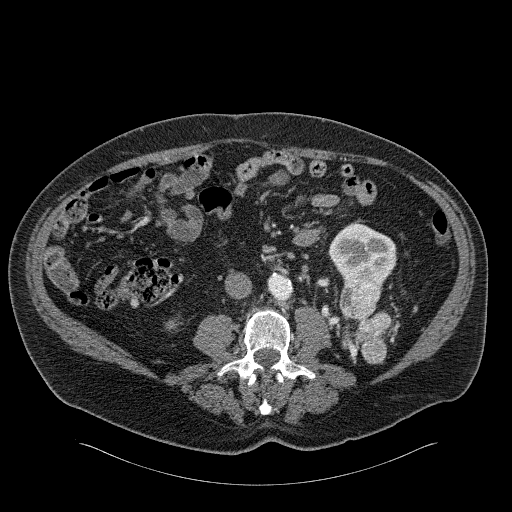
Arterial-phase contrast-enhanced abdominal CT, axial slice 76 of 326 (counted from the lowest slice); tube voltage 120 kVp, convolution kernel B31f; slices 2.00 mm thick, 0.963 mm per pixel.
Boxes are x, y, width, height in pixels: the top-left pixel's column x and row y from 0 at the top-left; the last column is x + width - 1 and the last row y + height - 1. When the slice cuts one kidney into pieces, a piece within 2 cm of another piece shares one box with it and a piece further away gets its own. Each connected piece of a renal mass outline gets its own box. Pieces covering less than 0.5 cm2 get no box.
Two kidney boxes and one renal mass box on this slice; by box centre, from the image's left to its right: (1) Right kidney, box x 165, y 318, width 18, height 13 (outlined area 123 px, about 1.1 cm2). (2) Box x 329, y 223, width 68, height 66: left kidney (outlined area 2,974 px, about 27.6 cm2). (3) Left renal mass, box x 339, y 274, width 53, height 91 (outlined area 2,870 px, about 26.6 cm2).